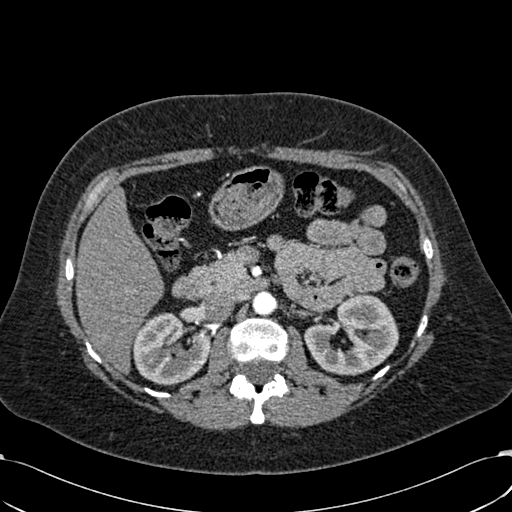
Abdominal CT with intravenous contrast, arterial phase, axial plane, 120 kVp, kernel B30f. Slice 385/532 from the bottom of the scan; thickness 1.00 mm; pixel size 0.713 mm.
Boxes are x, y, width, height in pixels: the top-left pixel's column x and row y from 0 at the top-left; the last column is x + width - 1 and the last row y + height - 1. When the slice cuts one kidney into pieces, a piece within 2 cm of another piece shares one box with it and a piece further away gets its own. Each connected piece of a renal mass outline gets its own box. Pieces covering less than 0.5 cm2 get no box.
Boxed on this slice (two kidney boxes), listed by box centre from the image's left to its right: (1) Right kidney, box x 132, y 312, width 80, height 74 (outlined area 4,227 px, about 21.5 cm2). (2) Left kidney, box x 304, y 293, width 95, height 83 (outlined area 5,179 px, about 26.3 cm2). No renal mass outline on this slice.